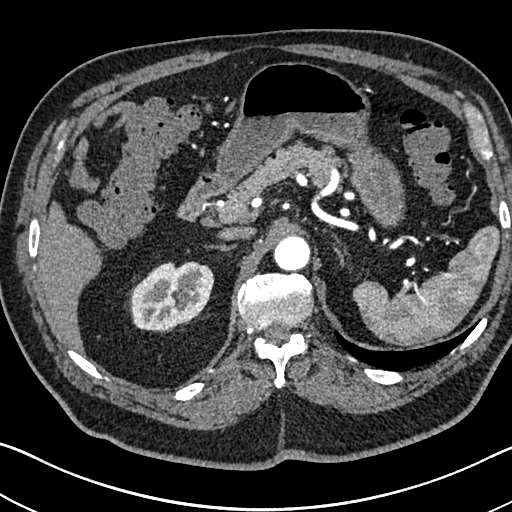
One axial slice (521 of 705, counting up from the lowest) of an arterial-phase abdominal CT acquired with 120 kVp, kernel I30f; each pixel is 0.703 mm and the slice is 1.00 mm thick.
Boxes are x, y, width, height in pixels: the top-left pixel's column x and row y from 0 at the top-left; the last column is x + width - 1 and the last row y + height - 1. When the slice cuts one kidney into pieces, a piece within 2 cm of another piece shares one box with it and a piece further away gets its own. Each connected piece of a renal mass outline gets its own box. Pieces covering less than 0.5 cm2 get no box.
Box x 131, y 261, width 83, height 70: right kidney (outlined area 4,422 px, about 21.9 cm2). This slice carries no renal mass outline.